One axial slice (228 of 325, counting up from the lowest) of an arterial-phase abdominal CT acquired with 100 kVp, kernel I30f; each pixel is 0.703 mm and the slice is 1.00 mm thick.
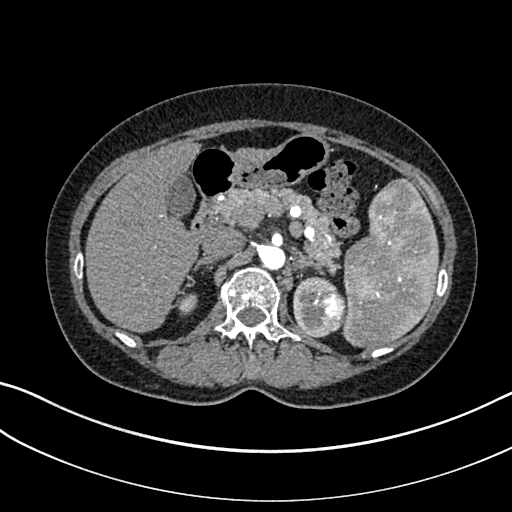
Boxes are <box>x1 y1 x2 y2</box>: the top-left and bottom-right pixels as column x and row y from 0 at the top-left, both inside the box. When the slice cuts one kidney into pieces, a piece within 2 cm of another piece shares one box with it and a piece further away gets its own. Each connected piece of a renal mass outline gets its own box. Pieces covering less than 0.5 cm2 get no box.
Boxed on this slice (two kidney boxes and one renal mass box), listed by box centre from the image's left to its right: (1) Right kidney: <box>176 293 197 315</box> (outlined area 354 px, about 1.8 cm2). (2) Left kidney at <box>293 276 336 338</box> (outlined area 1,431 px, about 7.1 cm2). (3) Left renal mass: <box>312 289 346 332</box> (outlined area 1,138 px, about 5.6 cm2).